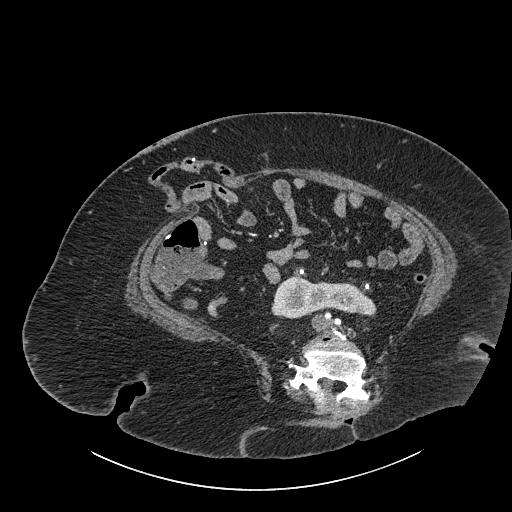
One axial slice (420 of 834, counting up from the lowest) of a contrast-enhanced abdominal CT acquired with 140 kVp, kernel I30f; each pixel is 0.977 mm and the slice is 1.00 mm thick.
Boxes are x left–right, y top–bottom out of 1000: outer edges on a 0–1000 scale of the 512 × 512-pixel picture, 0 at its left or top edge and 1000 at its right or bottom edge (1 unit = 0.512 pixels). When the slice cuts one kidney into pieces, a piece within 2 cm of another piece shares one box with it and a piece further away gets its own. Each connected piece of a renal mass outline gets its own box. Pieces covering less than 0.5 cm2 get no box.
Box x 529–734, y 539–623 out of 1000: kidney crossing the body midline (outlined area 3,137 px, about 29.9 cm2). No renal mass is outlined on this slice.